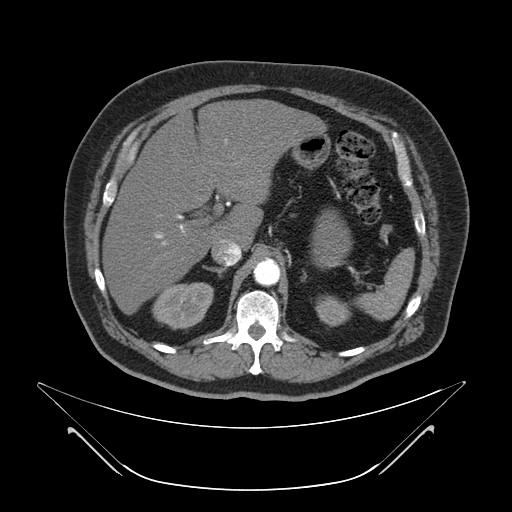
Axial slice 40 of 64 of a contrast-enhanced abdominal CT (slice 1 is the lowest), 120 kVp, kernel B; 4.00 mm slice thickness and 0.977 mm pixels.
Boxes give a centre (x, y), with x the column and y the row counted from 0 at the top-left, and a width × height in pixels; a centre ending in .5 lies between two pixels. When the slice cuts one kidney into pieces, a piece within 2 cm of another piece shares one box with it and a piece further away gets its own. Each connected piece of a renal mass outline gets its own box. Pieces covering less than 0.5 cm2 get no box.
Two kidney boxes on this slice; by box centre, from the image's left to its right: (1) Right kidney, box centre (182.5, 305.5), 62 × 48 pixels (outlined area 2,219 px, about 21.2 cm2). (2) Left kidney in a box with centre (333, 310.5), 37 × 32 pixels (outlined area 810 px, about 7.7 cm2). No renal mass is outlined on this slice.